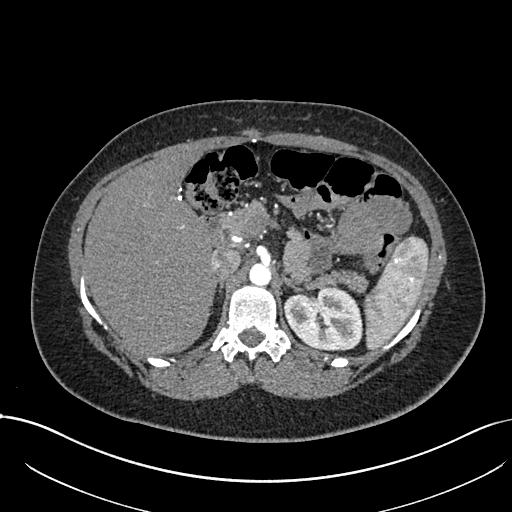
Arterial-phase contrast-enhanced abdominal CT, axial slice 512 of 738 (counted from the lowest slice); tube voltage 120 kVp, convolution kernel I30f; slices 1.00 mm thick, 0.789 mm per pixel.
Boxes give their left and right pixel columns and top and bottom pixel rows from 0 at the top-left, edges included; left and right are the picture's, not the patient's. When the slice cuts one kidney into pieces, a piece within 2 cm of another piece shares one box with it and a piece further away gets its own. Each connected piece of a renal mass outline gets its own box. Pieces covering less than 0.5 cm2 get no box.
Left kidney in the box with left 283, top 285, right 362, bottom 351 (outlined area 4,059 px, about 25.3 cm2). No renal mass outline on this slice.